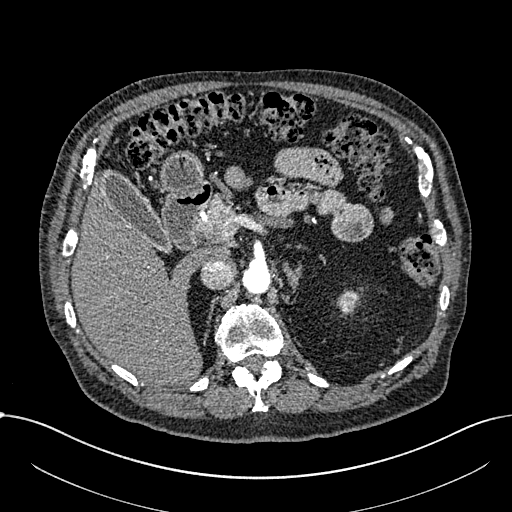
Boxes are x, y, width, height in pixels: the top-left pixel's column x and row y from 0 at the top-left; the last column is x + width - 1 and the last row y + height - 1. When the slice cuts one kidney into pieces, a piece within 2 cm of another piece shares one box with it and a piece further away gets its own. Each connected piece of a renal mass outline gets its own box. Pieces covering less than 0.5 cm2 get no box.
This is axial slice 471 of 1059 (slice 1 is the lowest) of an arterial-phase abdominal CT with contrast; each pixel is 0.811 mm and the slice is 1.00 mm thick. Left part of the midline-crossing kidney, box x 337, y 292, width 21, height 21 (outlined area 316 px, about 2.1 cm2). No renal mass outline on this slice.
Tube voltage 100 kVp; convolution kernel I30f.